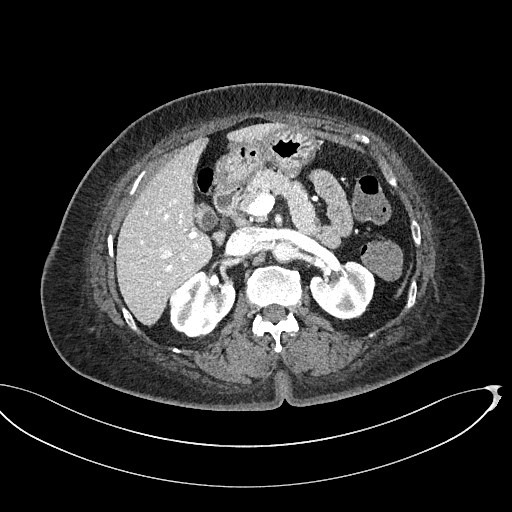
One axial slice (319 of 439, counting up from the lowest) of a contrast-enhanced abdominal CT acquired with 100 kVp, kernel I40f; each pixel is 0.850 mm and the slice is 2.00 mm thick.
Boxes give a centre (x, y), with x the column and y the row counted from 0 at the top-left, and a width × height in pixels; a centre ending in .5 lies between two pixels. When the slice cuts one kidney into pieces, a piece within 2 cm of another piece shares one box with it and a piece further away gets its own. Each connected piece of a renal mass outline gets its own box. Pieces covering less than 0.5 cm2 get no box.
Boxed on this slice (two kidney boxes and one renal mass box), listed by box centre from the image's left to its right: (1) Right renal mass in a box with centre (179, 296.5), 21 × 24 pixels (outlined area 371 px, about 2.7 cm2). (2) Right kidney, box centre (202.5, 304.5), 66 × 68 pixels (outlined area 2,872 px, about 20.7 cm2). (3) Box centre (342.5, 290), 66 × 61 pixels: left kidney (outlined area 2,883 px, about 20.8 cm2).